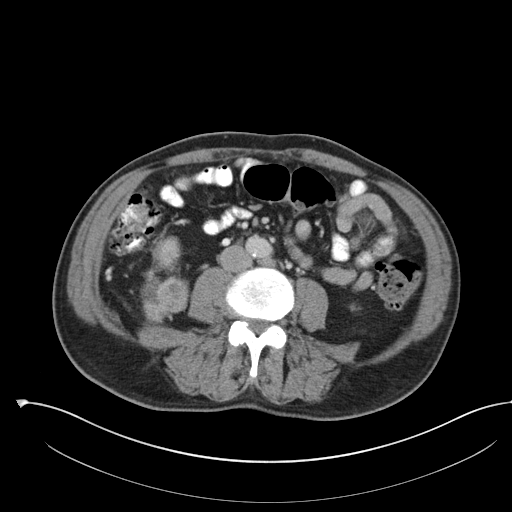
One axial slice (54 of 142, counting up from the lowest) of a contrast-enhanced abdominal CT acquired with 100 kVp, kernel I30f; each pixel is 0.855 mm and the slice is 5.00 mm thick.
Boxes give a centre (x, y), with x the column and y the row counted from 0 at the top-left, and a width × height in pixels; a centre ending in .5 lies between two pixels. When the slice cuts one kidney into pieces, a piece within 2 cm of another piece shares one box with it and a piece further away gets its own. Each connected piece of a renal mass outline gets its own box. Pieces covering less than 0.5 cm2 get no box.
Two boxes on this slice (one kidney box and one renal mass box), listed by box centre from the image's left to its right. (1) Right renal mass in a box with centre (164.5, 300), 50 × 49 pixels (outlined area 1,810 px, about 13.2 cm2). (2) Right kidney in a box with centre (166, 251.5), 29 × 34 pixels (outlined area 718 px, about 5.3 cm2).